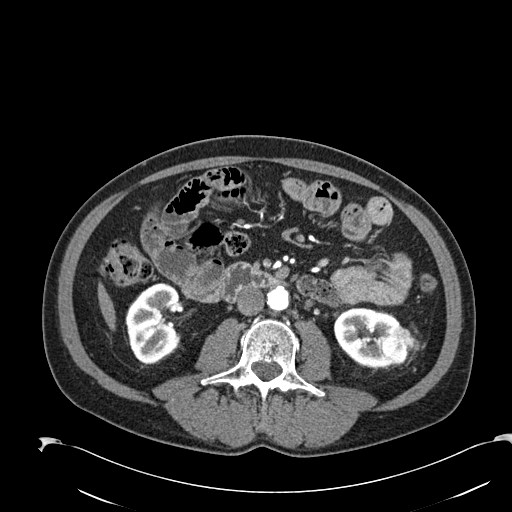
One axial slice (87 of 274, counting up from the lowest) of an arterial-phase abdominal CT acquired with 120 kVp, kernel B30f; each pixel is 0.809 mm and the slice is 2.00 mm thick.
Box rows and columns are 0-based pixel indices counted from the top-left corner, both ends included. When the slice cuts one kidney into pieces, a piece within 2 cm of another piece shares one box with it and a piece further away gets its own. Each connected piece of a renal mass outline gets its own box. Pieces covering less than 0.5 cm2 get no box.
Boxed on this slice (two kidney boxes and one renal mass box), listed by box centre from the image's left to its right: (1) Right kidney at rows 283–364, columns 125–179 (outlined area 3,504 px, about 22.9 cm2). (2) Box rows 307–368, columns 333–400: left kidney (outlined area 2,783 px, about 18.2 cm2). (3) Left renal mass at rows 325–365, columns 381–415 (outlined area 952 px, about 6.2 cm2).